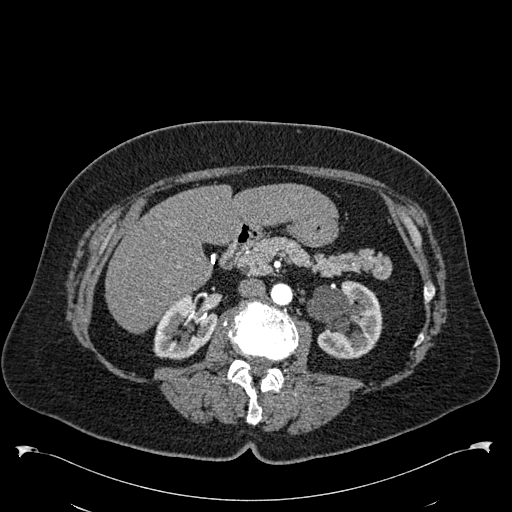
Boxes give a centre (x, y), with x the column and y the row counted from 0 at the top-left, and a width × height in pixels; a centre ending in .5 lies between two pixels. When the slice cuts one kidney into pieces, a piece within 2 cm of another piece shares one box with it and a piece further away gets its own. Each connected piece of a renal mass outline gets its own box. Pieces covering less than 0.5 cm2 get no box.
This is axial slice 329 of 538 (slice 1 is the lowest) of an arterial-phase abdominal CT with contrast; each pixel is 0.811 mm and the slice is 1.00 mm thick. Two boxes on this slice (two kidney boxes), listed by box centre from the image's left to its right. (1) Right kidney in a box with centre (185, 330), 65 × 61 pixels (outlined area 2,689 px, about 17.7 cm2). (2) Box centre (344.5, 319.5), 76 × 80 pixels: left kidney (outlined area 4,373 px, about 28.7 cm2). No renal mass is outlined on this slice.
Tube voltage 120 kVp; convolution kernel B30f.